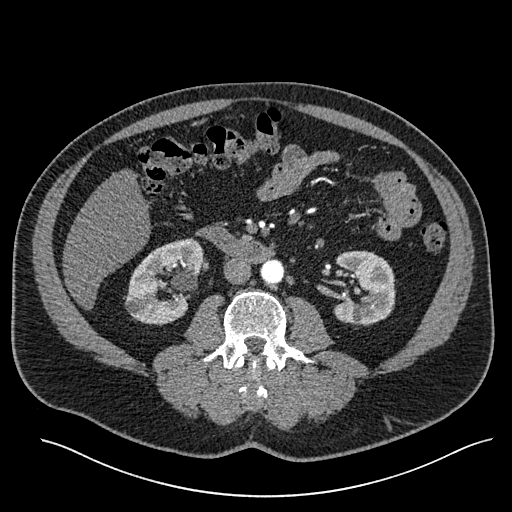
Arterial-phase contrast-enhanced abdominal CT, axial slice 280 of 527 (counted from the lowest slice); tube voltage 120 kVp, convolution kernel I30f; slices 1.00 mm thick, 0.859 mm per pixel.
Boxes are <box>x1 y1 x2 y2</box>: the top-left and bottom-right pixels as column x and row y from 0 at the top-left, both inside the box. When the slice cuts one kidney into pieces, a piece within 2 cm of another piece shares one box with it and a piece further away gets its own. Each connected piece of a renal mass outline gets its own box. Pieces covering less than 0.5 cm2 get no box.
Boxed on this slice (two kidney boxes), listed by box centre from the image's left to its right: (1) Right kidney at <box>124 239 202 322</box> (outlined area 4,598 px, about 34.0 cm2). (2) Left kidney: <box>334 250 395 325</box> (outlined area 3,729 px, about 27.5 cm2). This slice carries no renal mass outline.